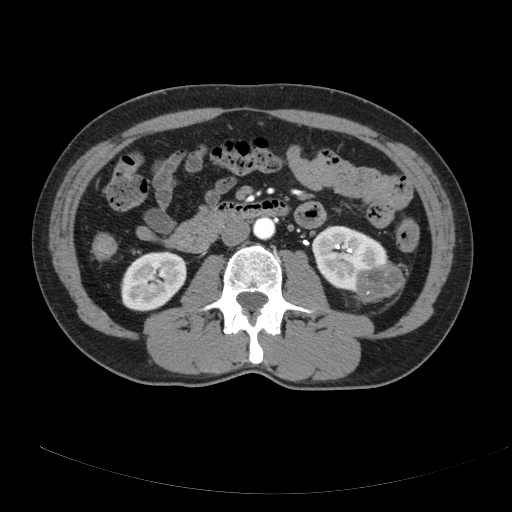
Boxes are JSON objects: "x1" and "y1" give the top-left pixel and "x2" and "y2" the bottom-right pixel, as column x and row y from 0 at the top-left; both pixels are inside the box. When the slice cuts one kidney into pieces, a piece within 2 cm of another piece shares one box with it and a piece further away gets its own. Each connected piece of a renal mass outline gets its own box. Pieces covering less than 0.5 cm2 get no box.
Slice 99/178 of a contrast-enhanced abdominal CT, counting up from the lowest; pixel size 0.818 mm, slice thickness 3.00 mm. Three boxes on this slice (two kidney boxes and one renal mass box), listed by box centre from the image's left to its right. (1) Box {"x1": 120, "y1": 251, "x2": 187, "y2": 311}: right kidney (outlined area 3,104 px, about 20.8 cm2). (2) Left kidney, box {"x1": 311, "y1": 225, "x2": 388, "y2": 293} (outlined area 3,228 px, about 21.6 cm2). (3) Left renal mass, box {"x1": 355, "y1": 261, "x2": 405, "y2": 303} (outlined area 1,557 px, about 10.4 cm2).
Acquired at 120 kVp and reconstructed with the B kernel.